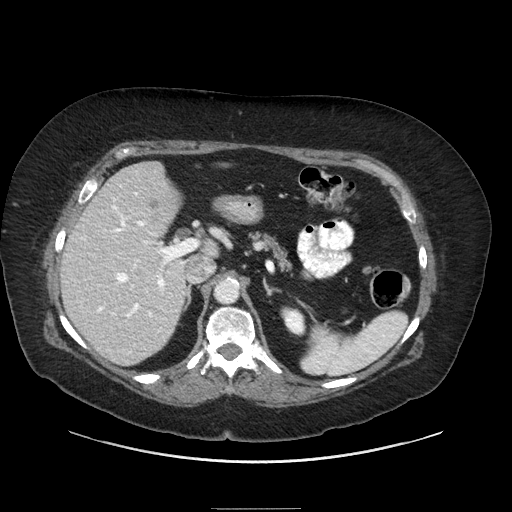
Contrast-enhanced abdominal CT, axial slice 147 of 186 (counted from the lowest slice); tube voltage 120 kVp, convolution kernel STANDARD; slices 2.50 mm thick, 0.850 mm per pixel.
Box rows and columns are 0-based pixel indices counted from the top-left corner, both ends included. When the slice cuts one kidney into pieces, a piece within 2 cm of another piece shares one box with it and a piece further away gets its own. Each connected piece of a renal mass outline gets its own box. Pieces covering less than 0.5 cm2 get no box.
Box rows 306–336, columns 280–306: left kidney (outlined area 590 px, about 4.3 cm2). No renal mass is outlined on this slice.